Arterial-phase contrast-enhanced abdominal CT, axial slice 530 of 612 (counted from the lowest slice); tube voltage 120 kVp, convolution kernel I30f; slices 1.00 mm thick, 0.703 mm per pixel.
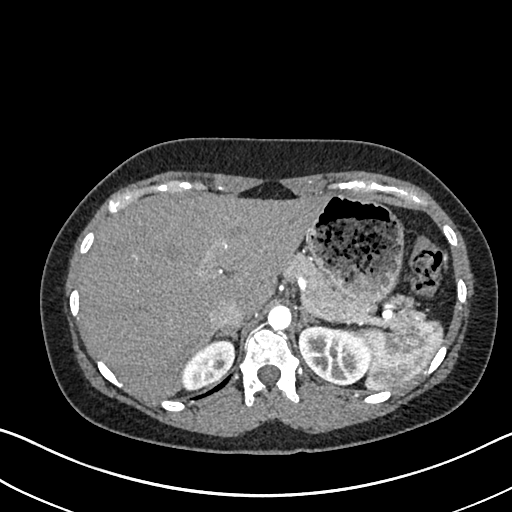
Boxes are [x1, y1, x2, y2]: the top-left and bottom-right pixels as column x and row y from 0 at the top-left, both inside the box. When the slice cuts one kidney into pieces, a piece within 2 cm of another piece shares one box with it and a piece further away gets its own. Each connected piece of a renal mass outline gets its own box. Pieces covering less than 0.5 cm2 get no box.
Two boxes on this slice (two kidney boxes), listed by box centre from the image's left to its right. (1) Right kidney at [180, 338, 234, 390] (outlined area 1,849 px, about 9.1 cm2). (2) Left kidney, box [298, 323, 370, 384] (outlined area 3,374 px, about 16.7 cm2). This slice carries no renal mass outline.